Axial slice 212 of 349 of a contrast-enhanced abdominal CT in the arterial phase (slice 1 is the lowest), 120 kVp, kernel STANDARD; 1.25 mm slice thickness and 0.742 mm pixels.
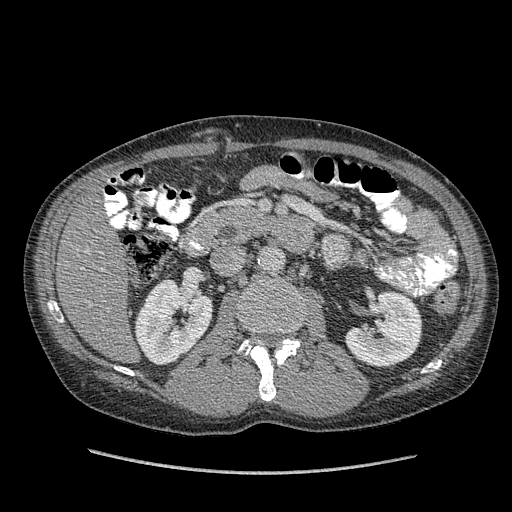
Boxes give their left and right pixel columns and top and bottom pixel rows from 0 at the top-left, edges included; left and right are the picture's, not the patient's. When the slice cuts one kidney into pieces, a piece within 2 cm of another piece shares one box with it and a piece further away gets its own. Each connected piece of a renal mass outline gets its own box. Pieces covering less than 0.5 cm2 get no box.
Two boxes on this slice (two kidney boxes), listed by box centre from the image's left to its right. (1) Box with left 133, top 277, right 212, bottom 365: right kidney (outlined area 4,854 px, about 26.7 cm2). (2) Box with left 344, top 290, right 422, bottom 367: left kidney (outlined area 4,318 px, about 23.8 cm2). No renal mass outline on this slice.